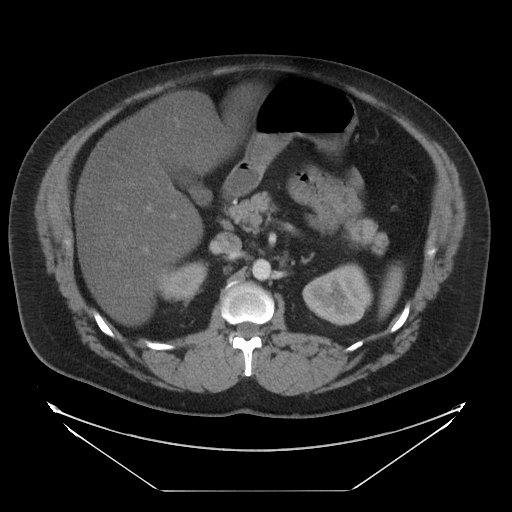
Axial slice 22 of 29 of a contrast-enhanced abdominal CT (slice 1 is the lowest), 120 kVp, kernel STANDARD; 5.00 mm slice thickness and 0.977 mm pixels.
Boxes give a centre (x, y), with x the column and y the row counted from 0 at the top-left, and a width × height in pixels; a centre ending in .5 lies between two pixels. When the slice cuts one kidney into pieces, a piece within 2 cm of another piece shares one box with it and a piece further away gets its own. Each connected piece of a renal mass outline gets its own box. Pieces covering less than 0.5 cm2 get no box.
Two boxes on this slice (two kidney boxes), listed by box centre from the image's left to its right. (1) Right kidney in a box with centre (181, 281), 53 × 41 pixels (outlined area 1,615 px, about 15.4 cm2). (2) Left kidney in a box with centre (337, 294), 71 × 63 pixels (outlined area 3,160 px, about 30.1 cm2). No renal mass is outlined on this slice.